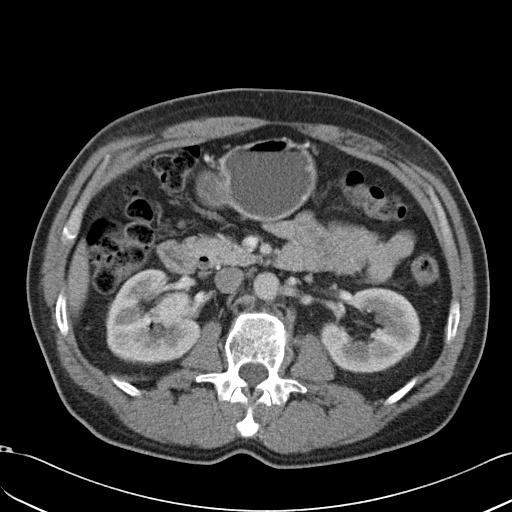
Abdominal CT with intravenous contrast, arterial phase, axial plane, 120 kVp, kernel B31f. Slice 20/49 from the bottom of the scan; thickness 5.00 mm; pixel size 0.691 mm.
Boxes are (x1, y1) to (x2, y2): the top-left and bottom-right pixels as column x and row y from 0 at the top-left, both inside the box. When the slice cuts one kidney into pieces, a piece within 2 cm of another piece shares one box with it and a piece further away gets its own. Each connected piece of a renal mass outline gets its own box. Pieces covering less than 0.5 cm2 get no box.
Three boxes on this slice (two kidney boxes and one renal mass box), listed by box centre from the image's left to its right. (1) Box (106, 268) to (202, 363): right kidney (outlined area 5,521 px, about 26.4 cm2). (2) Box (149, 291) to (195, 328): right renal mass (outlined area 1,313 px, about 6.3 cm2). (3) Left kidney, box (320, 287) to (420, 373) (outlined area 5,674 px, about 27.1 cm2).